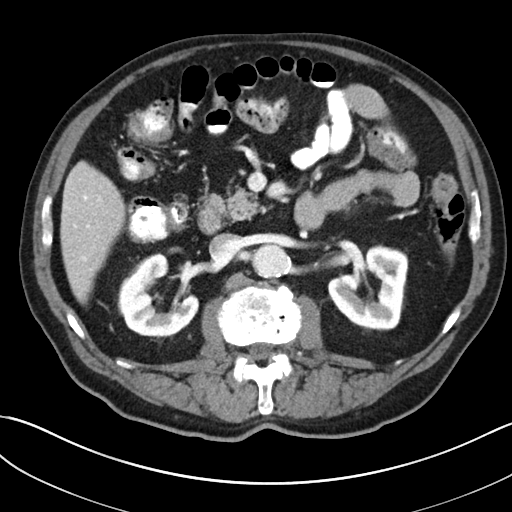
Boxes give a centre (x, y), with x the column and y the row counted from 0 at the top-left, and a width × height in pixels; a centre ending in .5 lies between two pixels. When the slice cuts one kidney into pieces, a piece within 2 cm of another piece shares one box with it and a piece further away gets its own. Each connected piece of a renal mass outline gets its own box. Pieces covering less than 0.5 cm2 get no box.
Slice 132/269 of a contrast-enhanced abdominal CT, counting up from the lowest; pixel size 0.732 mm, slice thickness 5.00 mm. Boxed on this slice (two kidney boxes), listed by box centre from the image's left to its right: (1) Right kidney, box centre (158, 294.5), 81 × 84 pixels (outlined area 4,327 px, about 23.2 cm2). (2) Left kidney, box centre (367.5, 287.5), 82 × 88 pixels (outlined area 4,833 px, about 25.9 cm2). No renal mass outline on this slice.
Scan settings: 100 kVp, I30f reconstruction kernel.